One axial slice (68 of 316, counting up from the lowest) of an arterial-phase abdominal CT acquired with 100 kVp, kernel I40f; each pixel is 0.840 mm and the slice is 2.00 mm thick.
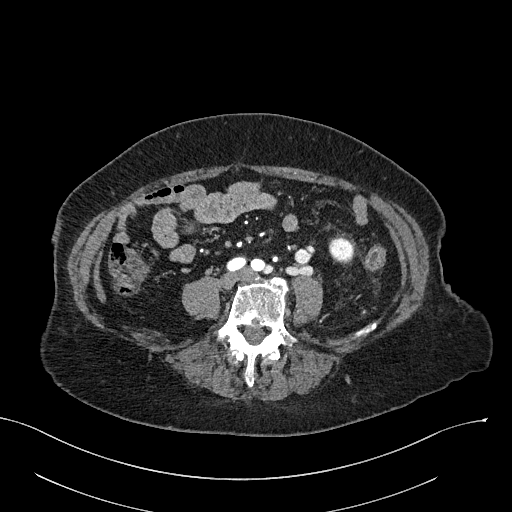
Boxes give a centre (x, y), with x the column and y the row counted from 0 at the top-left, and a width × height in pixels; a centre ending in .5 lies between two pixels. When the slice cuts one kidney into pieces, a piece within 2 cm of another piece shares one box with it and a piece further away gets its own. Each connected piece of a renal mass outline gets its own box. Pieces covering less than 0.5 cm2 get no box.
Left kidney in a box with centre (341, 250), 21 × 23 pixels (outlined area 394 px, about 2.8 cm2). No renal mass is outlined on this slice.